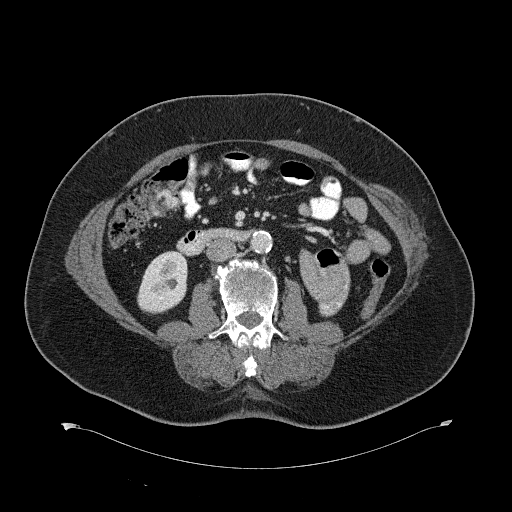
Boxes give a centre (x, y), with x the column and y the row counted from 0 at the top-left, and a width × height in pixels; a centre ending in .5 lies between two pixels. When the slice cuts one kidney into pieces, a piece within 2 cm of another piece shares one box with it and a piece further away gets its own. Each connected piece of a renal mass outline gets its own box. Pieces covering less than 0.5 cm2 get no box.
Contrast-enhanced abdominal CT, axial slice 324 of 734 (counted from the lowest slice); 2.00 mm thick, 0.971 mm per pixel. Right kidney in a box with centre (162, 282.5), 51 × 64 pixels (outlined area 2,441 px, about 23.0 cm2). This slice carries no renal mass outline.
Tube voltage 120 kVp; convolution kernel B31f.